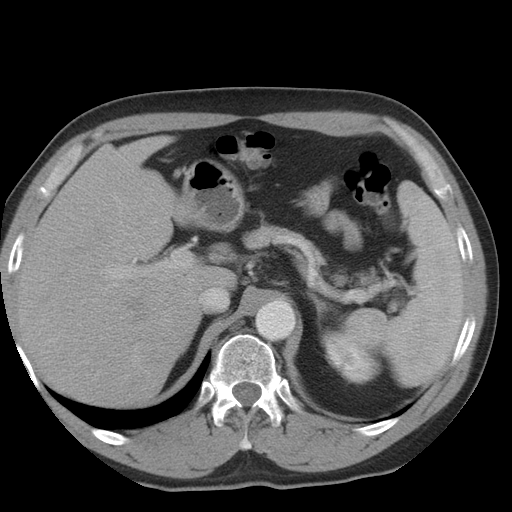
Arterial-phase contrast-enhanced abdominal CT, axial slice 29 of 36 (counted from the lowest slice); tube voltage 140 kVp, convolution kernel STANDARD; slices 5.00 mm thick, 0.703 mm per pixel.
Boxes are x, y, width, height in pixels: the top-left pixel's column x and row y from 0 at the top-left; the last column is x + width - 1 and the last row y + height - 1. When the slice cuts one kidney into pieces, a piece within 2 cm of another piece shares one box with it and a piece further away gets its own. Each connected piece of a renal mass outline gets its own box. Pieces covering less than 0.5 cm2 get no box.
Box x 320, y 328, width 63, height 57: left kidney (outlined area 2,073 px, about 10.2 cm2). This slice carries no renal mass outline.